Axial slice 16 of 97 of a contrast-enhanced abdominal CT in the arterial phase (slice 1 is the lowest), 100 kVp, kernel I40f; 3.00 mm slice thickness and 0.797 mm pixels.
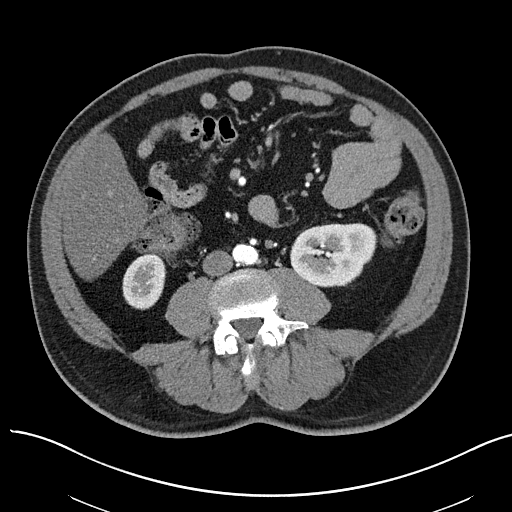
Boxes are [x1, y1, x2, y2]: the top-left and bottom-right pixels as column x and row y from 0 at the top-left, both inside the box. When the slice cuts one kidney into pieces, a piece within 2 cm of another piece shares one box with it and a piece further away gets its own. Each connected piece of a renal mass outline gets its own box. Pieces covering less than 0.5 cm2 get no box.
Boxed on this slice (two kidney boxes), listed by box centre from the image's left to its right: (1) Right kidney, box [122, 252, 166, 309] (outlined area 1,946 px, about 12.4 cm2). (2) Left kidney, box [290, 223, 376, 287] (outlined area 4,432 px, about 28.1 cm2). No renal mass is outlined on this slice.